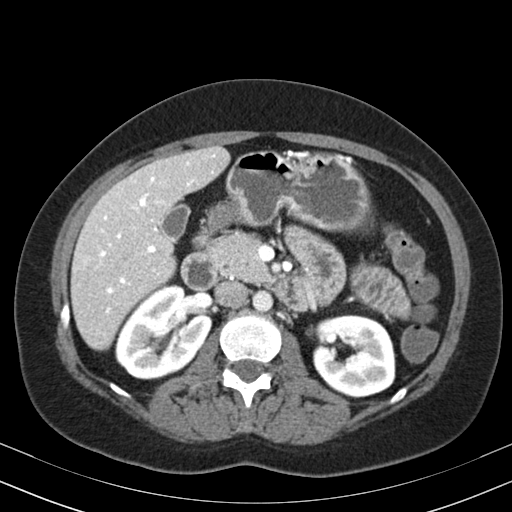
One axial slice (114 of 164, counting up from the lowest) of an arterial-phase abdominal CT acquired with 130 kVp, kernel B30s; each pixel is 0.664 mm and the slice is 3.00 mm thick.
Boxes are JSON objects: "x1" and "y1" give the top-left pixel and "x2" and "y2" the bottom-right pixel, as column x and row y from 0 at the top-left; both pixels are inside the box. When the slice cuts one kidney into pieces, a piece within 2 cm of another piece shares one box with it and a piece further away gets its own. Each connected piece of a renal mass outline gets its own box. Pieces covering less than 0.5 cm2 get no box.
Two kidney boxes on this slice; by box centre, from the image's left to its right: (1) Right kidney at {"x1": 115, "y1": 284, "x2": 211, "y2": 379} (outlined area 6,483 px, about 28.6 cm2). (2) Box {"x1": 313, "y1": 314, "x2": 395, "y2": 397}: left kidney (outlined area 5,548 px, about 24.5 cm2). No renal mass is outlined on this slice.